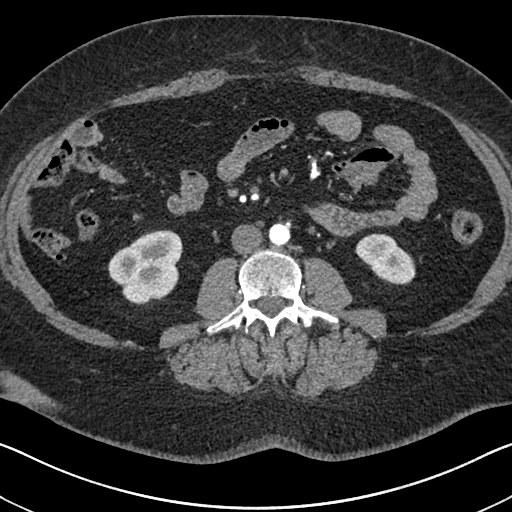
One axial slice (308 of 591, counting up from the lowest) of an arterial-phase abdominal CT acquired with 140 kVp, kernel I30f; each pixel is 0.703 mm and the slice is 1.00 mm thick.
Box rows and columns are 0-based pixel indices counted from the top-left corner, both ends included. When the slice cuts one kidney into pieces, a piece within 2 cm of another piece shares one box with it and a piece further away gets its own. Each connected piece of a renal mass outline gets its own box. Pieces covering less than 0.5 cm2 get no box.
Two kidney boxes on this slice; by box centre, from the image's left to its right: (1) Right kidney at rows 230–304, columns 108–182 (outlined area 3,999 px, about 19.8 cm2). (2) Left kidney at rows 234–284, columns 355–415 (outlined area 2,061 px, about 10.2 cm2). No renal mass is outlined on this slice.